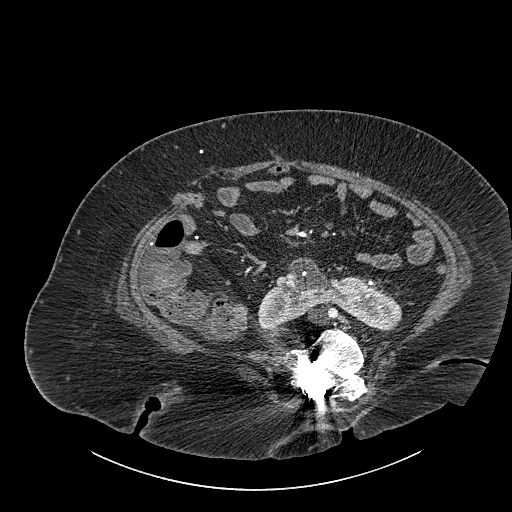
Axial slice 464 of 834 of a contrast-enhanced abdominal CT (slice 1 is the lowest), 140 kVp, kernel I30f; 1.00 mm slice thickness and 0.977 mm pixels.
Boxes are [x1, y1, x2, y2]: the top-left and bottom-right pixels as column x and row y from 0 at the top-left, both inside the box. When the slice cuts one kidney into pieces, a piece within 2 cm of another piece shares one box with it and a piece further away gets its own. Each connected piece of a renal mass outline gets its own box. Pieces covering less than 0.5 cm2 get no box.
Box [256, 257, 401, 330]: kidney crossing the body midline (outlined area 5,774 px, about 55.1 cm2). This slice carries no renal mass outline.